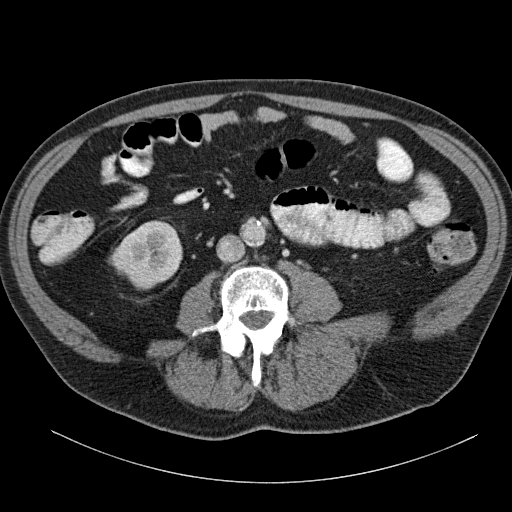
Abdominal CT with intravenous contrast, arterial phase, axial plane, 120 kVp, kernel B31f. Slice 58/140 from the bottom of the scan; thickness 5.00 mm; pixel size 0.754 mm.
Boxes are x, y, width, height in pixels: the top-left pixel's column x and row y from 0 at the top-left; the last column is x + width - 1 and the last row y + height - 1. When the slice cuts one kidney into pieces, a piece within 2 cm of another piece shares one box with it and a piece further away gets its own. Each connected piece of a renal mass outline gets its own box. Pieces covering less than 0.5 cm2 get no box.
Right kidney at x 108, y 220, width 75, height 70 (outlined area 3,596 px, about 20.4 cm2). No renal mass outline on this slice.